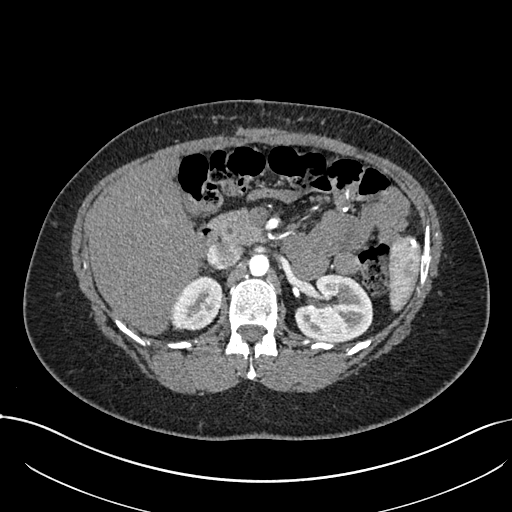
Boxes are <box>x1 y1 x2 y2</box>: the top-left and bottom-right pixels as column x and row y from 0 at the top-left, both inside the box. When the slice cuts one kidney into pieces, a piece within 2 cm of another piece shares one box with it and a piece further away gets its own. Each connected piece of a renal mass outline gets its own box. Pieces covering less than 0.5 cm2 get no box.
Slice 474/738 of a contrast-enhanced abdominal CT in the arterial phase, counting up from the lowest; pixel size 0.789 mm, slice thickness 1.00 mm. Boxed on this slice (two kidney boxes), listed by box centre from the image's left to its right: (1) At <box>170 275 220 331</box>: right kidney (outlined area 2,198 px, about 13.7 cm2). (2) Left kidney at <box>294 274 373 341</box> (outlined area 4,120 px, about 25.7 cm2). This slice carries no renal mass outline.
Scan settings: 120 kVp, I30f reconstruction kernel.